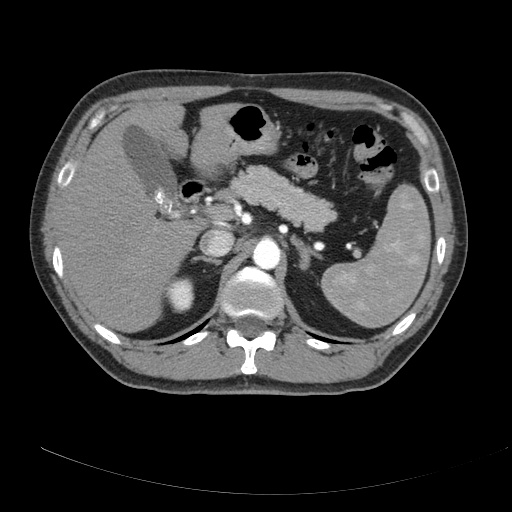
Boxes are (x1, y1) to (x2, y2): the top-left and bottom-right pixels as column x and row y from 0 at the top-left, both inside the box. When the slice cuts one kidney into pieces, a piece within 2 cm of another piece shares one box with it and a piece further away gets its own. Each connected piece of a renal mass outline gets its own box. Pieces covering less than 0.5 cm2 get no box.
Slice 127/178 of a contrast-enhanced abdominal CT, counting up from the lowest; pixel size 0.818 mm, slice thickness 3.00 mm. Right kidney from (163, 277) to (194, 312) (outlined area 901 px, about 6.0 cm2). No renal mass outline on this slice.
Acquired at 120 kVp and reconstructed with the B kernel.